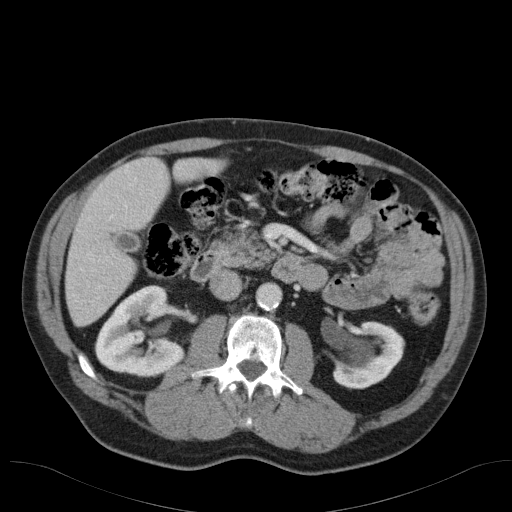
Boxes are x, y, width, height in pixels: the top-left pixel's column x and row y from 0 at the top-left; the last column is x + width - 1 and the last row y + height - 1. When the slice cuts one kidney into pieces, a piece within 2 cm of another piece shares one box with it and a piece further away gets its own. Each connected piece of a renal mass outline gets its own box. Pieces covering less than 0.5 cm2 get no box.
Slice 66/98 of a contrast-enhanced abdominal CT in the arterial phase, counting up from the lowest; pixel size 0.764 mm, slice thickness 5.00 mm. Boxed on this slice (two kidney boxes), listed by box centre from the image's left to its right: (1) Right kidney at x 94, y 285, width 94, height 93 (outlined area 5,737 px, about 33.5 cm2). (2) Box x 332, y 321, width 74, height 68: left kidney (outlined area 3,332 px, about 19.4 cm2). No renal mass is outlined on this slice.
Scan settings: 120 kVp, B31f reconstruction kernel.